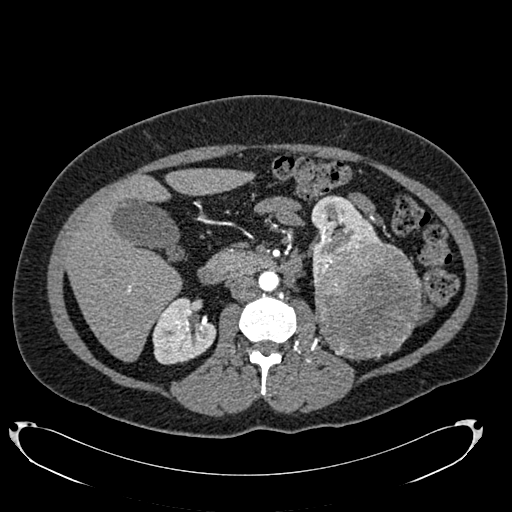
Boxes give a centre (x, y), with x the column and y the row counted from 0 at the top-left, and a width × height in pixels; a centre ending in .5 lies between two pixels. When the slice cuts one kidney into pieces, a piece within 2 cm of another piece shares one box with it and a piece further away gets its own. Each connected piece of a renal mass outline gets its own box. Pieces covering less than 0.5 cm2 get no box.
This is axial slice 418 of 634 (slice 1 is the lowest) of an arterial-phase abdominal CT with contrast; each pixel is 0.838 mm and the slice is 1.00 mm thick. Boxed on this slice (two kidney boxes and one renal mass box), listed by box centre from the image's left to its right: (1) Box centre (184, 331), 65 × 67 pixels: right kidney (outlined area 3,109 px, about 21.8 cm2). (2) Left kidney in a box with centre (345.5, 239.5), 72 × 90 pixels (outlined area 3,102 px, about 21.8 cm2). (3) Left renal mass, box centre (368.5, 300.5), 110 × 118 pixels (outlined area 10,279 px, about 72.2 cm2).
Tube voltage 120 kVp; convolution kernel B20f.